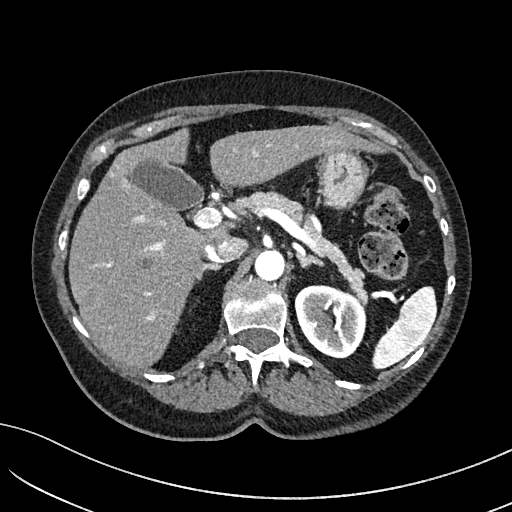
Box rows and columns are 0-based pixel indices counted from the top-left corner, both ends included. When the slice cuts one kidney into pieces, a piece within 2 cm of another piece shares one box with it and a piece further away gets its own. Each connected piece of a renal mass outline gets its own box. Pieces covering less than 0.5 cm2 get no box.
This is axial slice 108 of 234 (slice 1 is the lowest) of an arterial-phase abdominal CT with contrast; each pixel is 0.699 mm and the slice is 2.00 mm thick. Left kidney at rows 285–358, columns 294–366 (outlined area 4,060 px, about 19.8 cm2). No renal mass is outlined on this slice.
Acquired at 100 kVp and reconstructed with the I40f kernel.